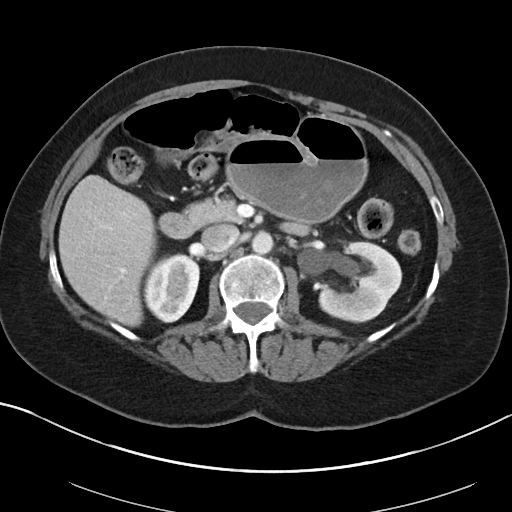
Abdominal CT with intravenous contrast, arterial phase, axial plane, 100 kVp, kernel I40f. Slice 58/88 from the bottom of the scan; thickness 5.00 mm; pixel size 0.705 mm.
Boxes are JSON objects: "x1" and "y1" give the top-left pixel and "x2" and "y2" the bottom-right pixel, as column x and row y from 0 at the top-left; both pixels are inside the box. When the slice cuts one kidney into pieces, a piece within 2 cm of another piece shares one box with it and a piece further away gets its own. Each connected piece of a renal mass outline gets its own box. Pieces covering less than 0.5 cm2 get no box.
Boxed on this slice (two kidney boxes), listed by box centre from the image's left to its right: (1) Right kidney at {"x1": 145, "y1": 253, "x2": 199, "y2": 322} (outlined area 2,996 px, about 14.9 cm2). (2) Left kidney at {"x1": 318, "y1": 241, "x2": 402, "y2": 323} (outlined area 4,660 px, about 23.2 cm2). No renal mass is outlined on this slice.